Abdominal CT with intravenous contrast, arterial phase, axial plane, 100 kVp, kernel I26f. Slice 387/665 from the bottom of the scan; thickness 1.00 mm; pixel size 0.828 mm.
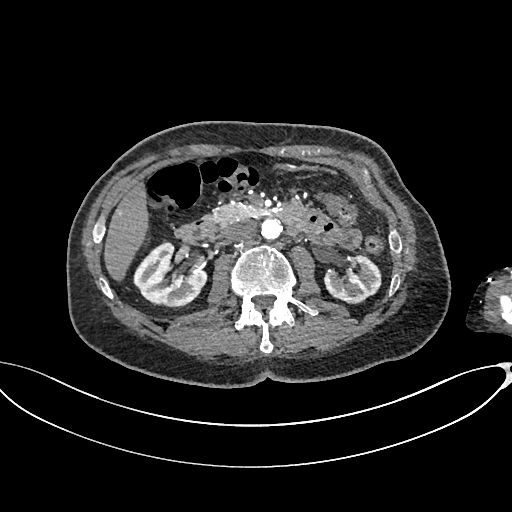
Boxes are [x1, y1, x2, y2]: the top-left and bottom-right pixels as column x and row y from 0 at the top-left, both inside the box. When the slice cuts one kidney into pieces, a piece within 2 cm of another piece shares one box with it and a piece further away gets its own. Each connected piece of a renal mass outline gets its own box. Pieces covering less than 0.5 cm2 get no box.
Two boxes on this slice (two kidney boxes), listed by box centre from the image's left to its right. (1) Box [133, 242, 207, 308]: right kidney (outlined area 3,353 px, about 23.0 cm2). (2) Left kidney, box [324, 253, 381, 304] (outlined area 2,035 px, about 14.0 cm2). This slice carries no renal mass outline.